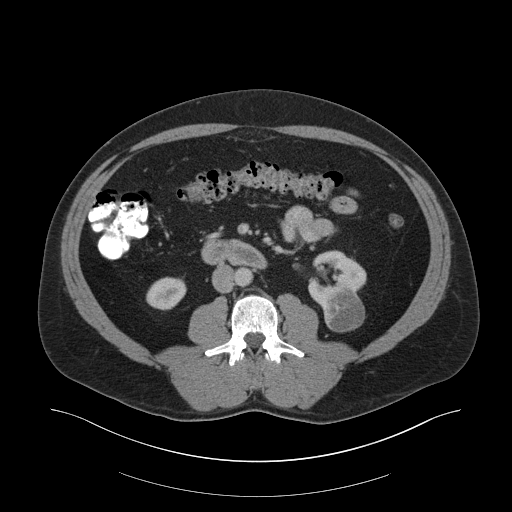
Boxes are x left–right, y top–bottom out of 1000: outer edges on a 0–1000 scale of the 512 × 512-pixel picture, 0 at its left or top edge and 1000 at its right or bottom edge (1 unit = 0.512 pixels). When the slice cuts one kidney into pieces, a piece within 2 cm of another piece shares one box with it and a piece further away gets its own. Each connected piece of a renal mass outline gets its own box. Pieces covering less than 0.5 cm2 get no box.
Slice 94/159 of a contrast-enhanced abdominal CT in the arterial phase, counting up from the lowest; pixel size 0.977 mm, slice thickness 3.00 mm. Three boxes on this slice (two kidney boxes and one renal mass box), listed by box centre from the image's left to its right. (1) Box x 285–365, y 541–607 out of 1000: right kidney (outlined area 1,038 px, about 9.9 cm2). (2) Left kidney, box x 600–717, y 488–605 out of 1000 (outlined area 2,154 px, about 20.5 cm2). (3) Left renal mass, box x 631–713, y 570–650 out of 1000 (outlined area 1,314 px, about 12.5 cm2).
Scan settings: 140 kVp, B30f reconstruction kernel.